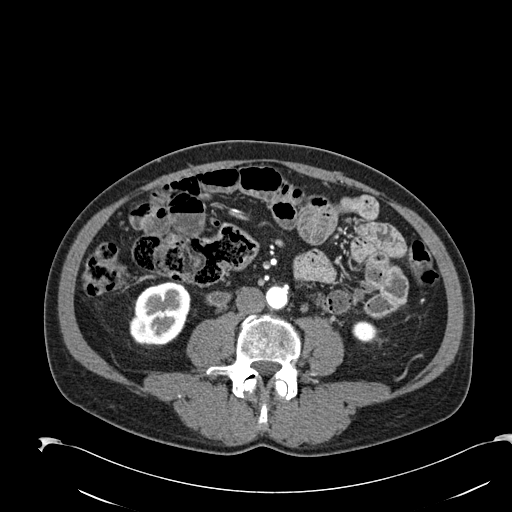
Abdominal CT with intravenous contrast, arterial phase, axial plane, 120 kVp, kernel B30f. Slice 60/274 from the bottom of the scan; thickness 2.00 mm; pixel size 0.809 mm.
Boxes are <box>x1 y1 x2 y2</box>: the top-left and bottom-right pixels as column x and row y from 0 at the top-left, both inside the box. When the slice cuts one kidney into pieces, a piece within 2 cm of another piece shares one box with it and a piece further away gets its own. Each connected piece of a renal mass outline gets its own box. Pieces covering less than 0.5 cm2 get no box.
Boxed on this slice (two kidney boxes), listed by box centre from the image's left to its right: (1) Right kidney: <box>129 281 190 346</box> (outlined area 3,091 px, about 20.2 cm2). (2) Left kidney at <box>352 320 377 343</box> (outlined area 468 px, about 3.1 cm2). No renal mass outline on this slice.